Abdominal CT with intravenous contrast, arterial phase, axial plane, 120 kVp, kernel B30f. Slice 318/581 from the bottom of the scan; thickness 1.00 mm; pixel size 0.713 mm.
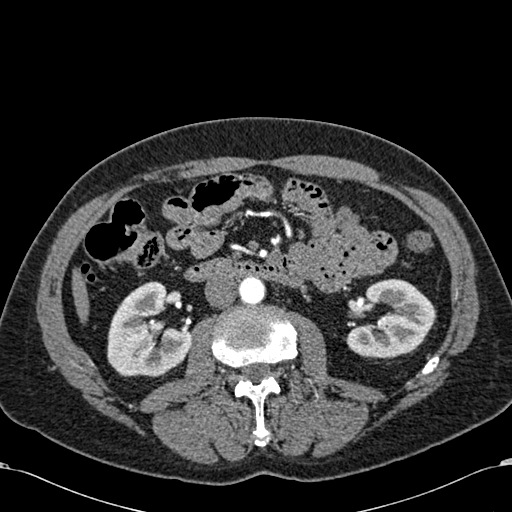
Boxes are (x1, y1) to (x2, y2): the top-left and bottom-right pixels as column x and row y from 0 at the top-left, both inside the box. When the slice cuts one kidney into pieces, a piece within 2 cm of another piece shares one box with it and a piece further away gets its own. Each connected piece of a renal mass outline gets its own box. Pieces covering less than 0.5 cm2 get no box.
Two boxes on this slice (two kidney boxes), listed by box centre from the image's left to its right. (1) Right kidney from (107, 281) to (191, 377) (outlined area 5,690 px, about 28.9 cm2). (2) Left kidney, box (345, 278) to (436, 358) (outlined area 4,976 px, about 25.3 cm2). No renal mass outline on this slice.